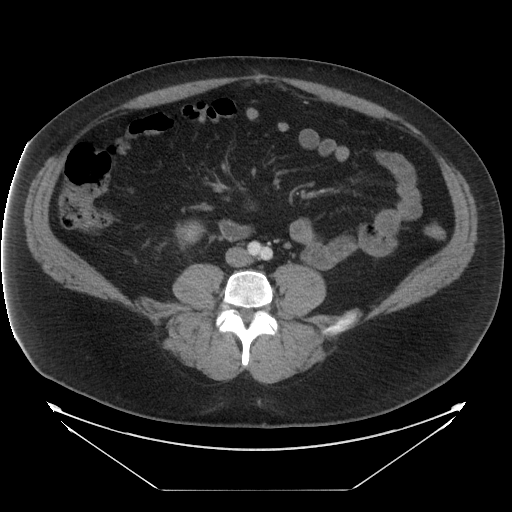
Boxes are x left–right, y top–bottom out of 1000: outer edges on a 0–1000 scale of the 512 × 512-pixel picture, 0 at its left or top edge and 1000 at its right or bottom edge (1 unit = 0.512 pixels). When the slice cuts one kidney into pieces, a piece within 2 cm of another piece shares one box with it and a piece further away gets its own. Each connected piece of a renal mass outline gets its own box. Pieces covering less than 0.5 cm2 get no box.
This is axial slice 2 of 29 (slice 1 is the lowest) of an abdominal CT with contrast; each pixel is 0.977 mm and the slice is 5.00 mm thick. Right kidney, box x 342–400, y 432–479 out of 1000 (outlined area 528 px, about 5.0 cm2). This slice carries no renal mass outline.
Scan settings: 120 kVp, STANDARD reconstruction kernel.